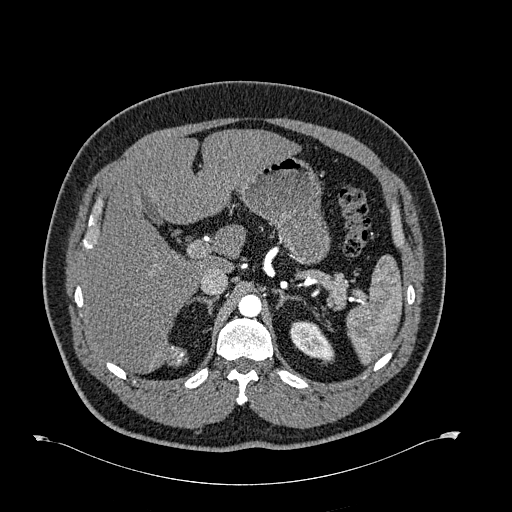
Axial slice 483 of 723 of a contrast-enhanced abdominal CT in the arterial phase (slice 1 is the lowest), 120 kVp, kernel B30f; 1.00 mm slice thickness and 0.895 mm pixels.
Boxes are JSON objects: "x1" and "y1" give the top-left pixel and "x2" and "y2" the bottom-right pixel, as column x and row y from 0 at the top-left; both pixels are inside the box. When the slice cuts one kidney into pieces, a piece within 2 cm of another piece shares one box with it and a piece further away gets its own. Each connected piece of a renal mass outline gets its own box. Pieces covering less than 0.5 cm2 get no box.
Left kidney, box {"x1": 289, "y1": 321, "x2": 334, "y2": 362} (outlined area 1,226 px, about 9.8 cm2). No renal mass outline on this slice.